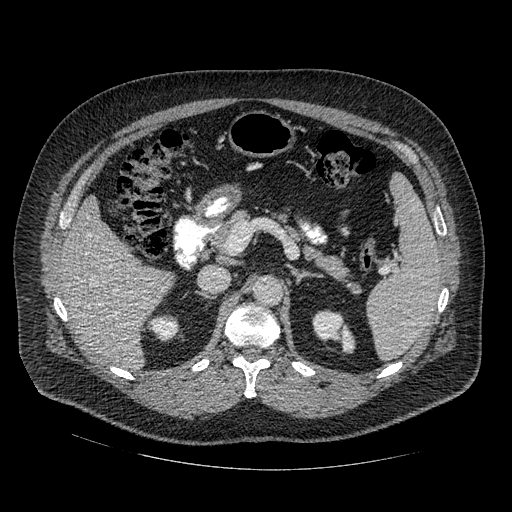
Abdominal CT with intravenous contrast, arterial phase, axial plane, 120 kVp, kernel STANDARD. Slice 311/445 from the bottom of the scan; thickness 1.25 mm; pixel size 0.863 mm.
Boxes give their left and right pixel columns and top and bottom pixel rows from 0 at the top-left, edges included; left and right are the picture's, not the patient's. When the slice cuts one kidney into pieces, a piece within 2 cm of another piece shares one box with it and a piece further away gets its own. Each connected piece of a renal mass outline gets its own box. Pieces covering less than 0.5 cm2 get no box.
Boxed on this slice (two kidney boxes), listed by box centre from the image's left to its right: (1) Right kidney, the box with left 149, top 315, right 178, bottom 339 (outlined area 567 px, about 4.2 cm2). (2) Left kidney, the box with left 312, top 309, right 355, bottom 353 (outlined area 1,197 px, about 8.9 cm2). This slice carries no renal mass outline.